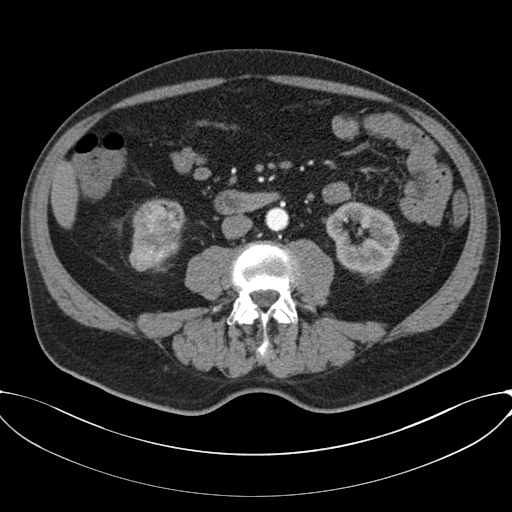
Abdominal CT with intravenous contrast, axial plane, 120 kVp, kernel B30f. Slice 22/80 from the bottom of the scan; thickness 3.00 mm; pixel size 0.822 mm.
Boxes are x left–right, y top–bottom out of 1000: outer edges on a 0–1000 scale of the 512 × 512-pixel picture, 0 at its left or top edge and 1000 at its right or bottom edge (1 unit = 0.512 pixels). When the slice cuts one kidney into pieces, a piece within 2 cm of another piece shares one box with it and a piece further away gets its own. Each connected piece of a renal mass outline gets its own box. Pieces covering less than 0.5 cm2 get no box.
Two kidney boxes and two renal mass boxes on this slice; by box centre, from the image's left to its right: (1) Right renal mass at x 252–301, y 482–527 out of 1000 (outlined area 449 px, about 3.0 cm2). (2) Box x 258–328, y 395–465 out of 1000: right renal mass (outlined area 1,028 px, about 7.0 cm2). (3) Box x 258–363, y 389–521 out of 1000: right kidney (outlined area 1,469 px, about 9.9 cm2). (4) Left kidney, box x 635–781, y 393–537 out of 1000 (outlined area 3,790 px, about 25.6 cm2).